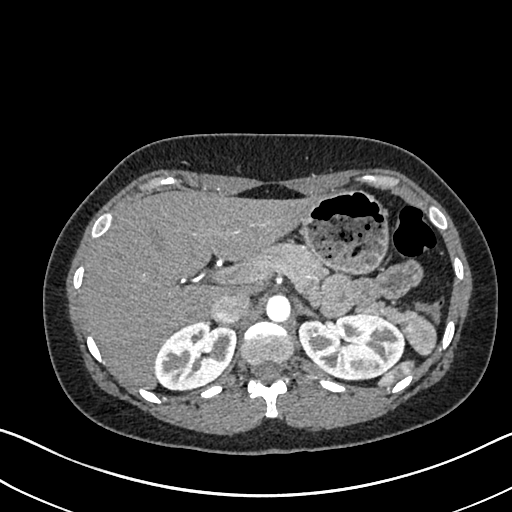
Axial slice 493 of 612 of a contrast-enhanced abdominal CT in the arterial phase (slice 1 is the lowest), 120 kVp, kernel I30f; 1.00 mm slice thickness and 0.703 mm pixels.
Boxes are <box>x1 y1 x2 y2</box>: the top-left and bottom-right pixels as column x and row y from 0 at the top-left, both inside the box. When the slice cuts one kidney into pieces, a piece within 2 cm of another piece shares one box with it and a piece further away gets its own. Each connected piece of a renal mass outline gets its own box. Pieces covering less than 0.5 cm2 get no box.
Two kidney boxes on this slice; by box centre, from the image's left to its right: (1) Right kidney: <box>154 320 236 389</box> (outlined area 4,194 px, about 20.7 cm2). (2) Left kidney at <box>298 312 404 380</box> (outlined area 5,611 px, about 27.7 cm2). No renal mass is outlined on this slice.